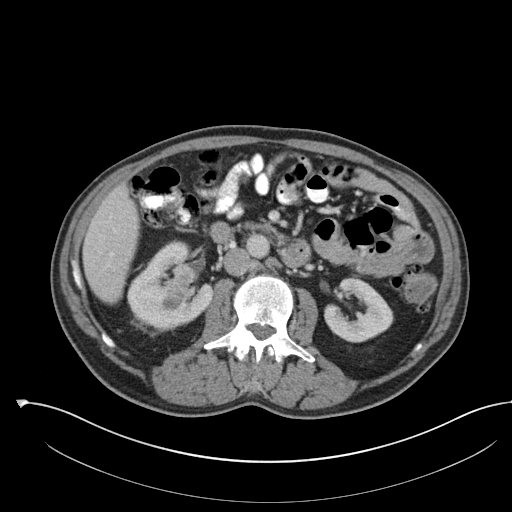
Abdominal CT with intravenous contrast, axial plane, 100 kVp, kernel I30f. Slice 63/142 from the bottom of the scan; thickness 5.00 mm; pixel size 0.855 mm.
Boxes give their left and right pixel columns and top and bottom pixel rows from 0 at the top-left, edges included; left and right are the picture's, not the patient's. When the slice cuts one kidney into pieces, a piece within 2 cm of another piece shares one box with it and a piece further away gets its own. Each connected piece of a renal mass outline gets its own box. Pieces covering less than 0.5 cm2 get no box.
Two kidney boxes and one renal mass box on this slice; by box centre, from the image's left to its right: (1) Right renal mass, the box with left 139, top 264, right 197, bottom 329 (outlined area 2,111 px, about 15.4 cm2). (2) Right kidney, the box with left 127, top 241, right 213, bottom 329 (outlined area 3,191 px, about 23.4 cm2). (3) Left kidney in the box with left 324, top 276, right 393, bottom 342 (outlined area 3,050 px, about 22.3 cm2).